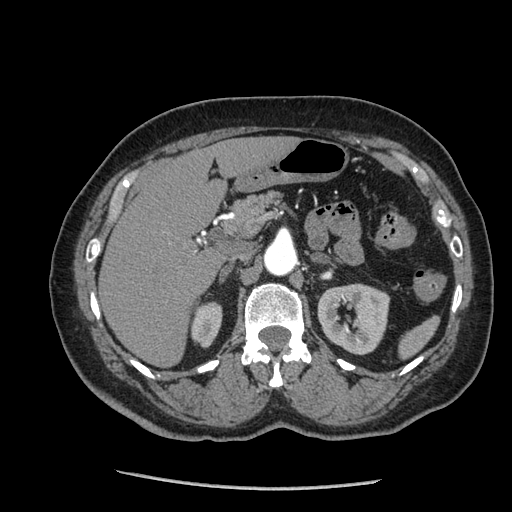
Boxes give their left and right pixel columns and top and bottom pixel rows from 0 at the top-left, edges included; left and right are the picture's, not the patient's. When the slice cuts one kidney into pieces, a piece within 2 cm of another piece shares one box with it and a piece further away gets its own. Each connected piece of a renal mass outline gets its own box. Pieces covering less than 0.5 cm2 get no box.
Arterial-phase contrast-enhanced abdominal CT, axial slice 147 of 233 (counted from the lowest slice); 1.25 mm thick, 0.703 mm per pixel. Boxed on this slice (two kidney boxes), listed by box centre from the image's left to its right: (1) Box with left 190, top 301, right 222, bottom 348: right kidney (outlined area 1,183 px, about 5.8 cm2). (2) Left kidney in the box with left 317, top 283, right 390, bottom 355 (outlined area 3,951 px, about 19.5 cm2). No renal mass is outlined on this slice.
Scan settings: 120 kVp, STANDARD reconstruction kernel.